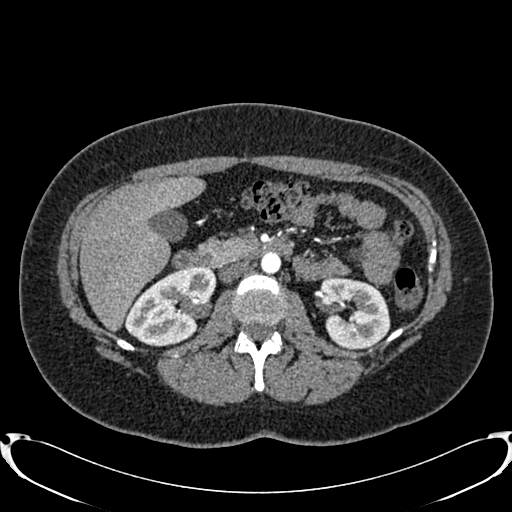
Abdominal CT with intravenous contrast, arterial phase, axial plane, 120 kVp, kernel B20f. Slice 464/719 from the bottom of the scan; thickness 1.00 mm; pixel size 0.766 mm.
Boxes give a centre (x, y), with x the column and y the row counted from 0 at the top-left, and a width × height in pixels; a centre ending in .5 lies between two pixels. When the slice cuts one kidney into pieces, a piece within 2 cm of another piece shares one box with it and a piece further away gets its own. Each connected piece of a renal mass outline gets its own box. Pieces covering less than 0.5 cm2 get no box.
Two kidney boxes on this slice; by box centre, from the image's left to its right: (1) Right kidney, box centre (169, 306), 91 × 81 pixels (outlined area 5,018 px, about 29.4 cm2). (2) Left kidney, box centre (354, 313), 73 × 73 pixels (outlined area 3,997 px, about 23.4 cm2). This slice carries no renal mass outline.